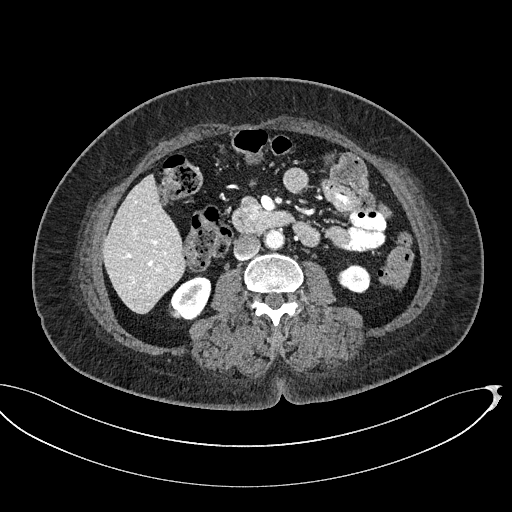
One axial slice (267 of 439, counting up from the lowest) of a contrast-enhanced abdominal CT acquired with 100 kVp, kernel I40f; each pixel is 0.850 mm and the slice is 2.00 mm thick.
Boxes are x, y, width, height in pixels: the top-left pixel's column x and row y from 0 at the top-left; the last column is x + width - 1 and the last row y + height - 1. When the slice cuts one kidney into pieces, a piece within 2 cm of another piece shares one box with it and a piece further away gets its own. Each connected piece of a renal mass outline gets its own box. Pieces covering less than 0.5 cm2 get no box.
Two kidney boxes on this slice; by box centre, from the image's left to its right: (1) Right kidney at x 169, y 275, width 43, height 46 (outlined area 1,371 px, about 9.9 cm2). (2) Box x 337, y 264, width 34, height 30: left kidney (outlined area 743 px, about 5.4 cm2). This slice carries no renal mass outline.